Contrast-enhanced abdominal CT, axial slice 170 of 301 (counted from the lowest slice); tube voltage 120 kVp, convolution kernel I40f; slices 2.00 mm thick, 0.859 mm per pixel.
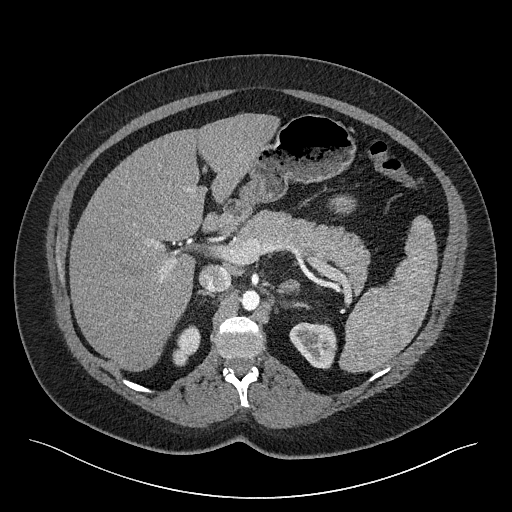
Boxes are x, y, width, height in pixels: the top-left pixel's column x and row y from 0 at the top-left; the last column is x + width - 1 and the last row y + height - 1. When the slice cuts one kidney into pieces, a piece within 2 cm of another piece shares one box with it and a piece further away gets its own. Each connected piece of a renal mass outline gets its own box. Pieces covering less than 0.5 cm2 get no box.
Two kidney boxes on this slice; by box centre, from the image's left to its right: (1) Right kidney, box x 172, y 325, width 29, height 42 (outlined area 762 px, about 5.6 cm2). (2) Box x 289, y 322, width 48, height 48: left kidney (outlined area 1,687 px, about 12.5 cm2). This slice carries no renal mass outline.